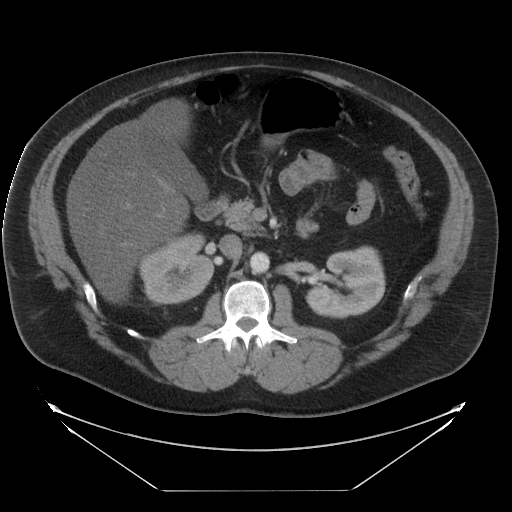
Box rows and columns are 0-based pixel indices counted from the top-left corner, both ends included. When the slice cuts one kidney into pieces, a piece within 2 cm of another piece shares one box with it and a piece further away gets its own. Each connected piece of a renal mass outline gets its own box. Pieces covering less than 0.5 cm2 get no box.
Slice 18/29 of a contrast-enhanced abdominal CT, counting up from the lowest; pixel size 0.977 mm, slice thickness 5.00 mm. Two kidney boxes on this slice; by box centre, from the image's left to its right: (1) Right kidney at rows 232–304, columns 138–215 (outlined area 4,056 px, about 38.7 cm2). (2) Left kidney, box rows 246–318, columns 305–385 (outlined area 4,305 px, about 41.1 cm2). This slice carries no renal mass outline.
Scan settings: 120 kVp, STANDARD reconstruction kernel.